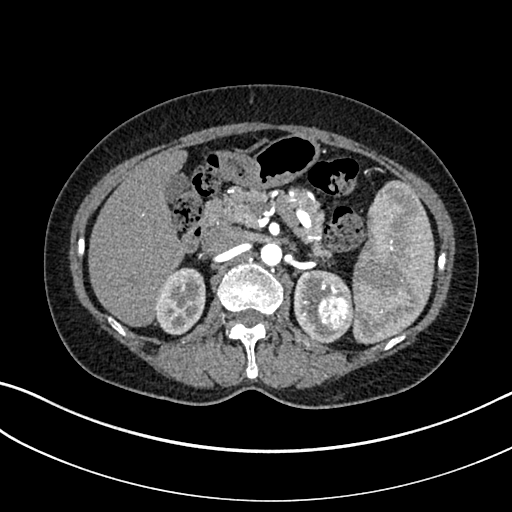
Abdominal CT with intravenous contrast, arterial phase, axial plane, 100 kVp, kernel I30f. Slice 206/325 from the bottom of the scan; thickness 1.00 mm; pixel size 0.703 mm.
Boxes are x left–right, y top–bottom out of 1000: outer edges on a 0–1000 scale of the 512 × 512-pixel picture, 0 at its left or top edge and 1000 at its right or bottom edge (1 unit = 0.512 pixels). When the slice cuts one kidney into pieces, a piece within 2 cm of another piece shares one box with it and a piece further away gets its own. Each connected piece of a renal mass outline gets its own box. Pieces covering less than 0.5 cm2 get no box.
Two kidney boxes and one renal mass box on this slice; by box centre, from the image's left to its right: (1) Box x 303–402, y 521–656 out of 1000: right kidney (outlined area 2,706 px, about 13.4 cm2). (2) Left kidney, box x 574–689, y 525–672 out of 1000 (outlined area 2,445 px, about 12.1 cm2). (3) Left renal mass, box x 617–689, y 574–650 out of 1000 (outlined area 1,090 px, about 5.4 cm2).